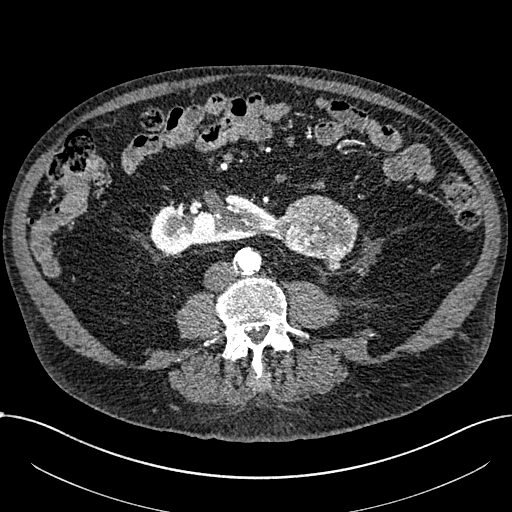
Arterial-phase contrast-enhanced abdominal CT, axial slice 273 of 1059 (counted from the lowest slice); tube voltage 100 kVp, convolution kernel I30f; slices 1.00 mm thick, 0.811 mm per pixel.
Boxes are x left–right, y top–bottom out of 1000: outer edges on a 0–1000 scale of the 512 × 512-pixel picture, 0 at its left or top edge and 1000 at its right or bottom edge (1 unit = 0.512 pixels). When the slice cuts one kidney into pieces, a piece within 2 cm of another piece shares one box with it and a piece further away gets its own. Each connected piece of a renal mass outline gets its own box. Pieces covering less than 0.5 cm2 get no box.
Two boxes on this slice (one kidney box and one renal mass box), listed by box centre from the image's left to its right. (1) Right part of the midline-crossing kidney at x 293–545, y 379–498 out of 1000 (outlined area 5,031 px, about 33.1 cm2). (2) Renal mass at x 535–703, y 381–520 out of 1000 (outlined area 4,216 px, about 27.7 cm2).